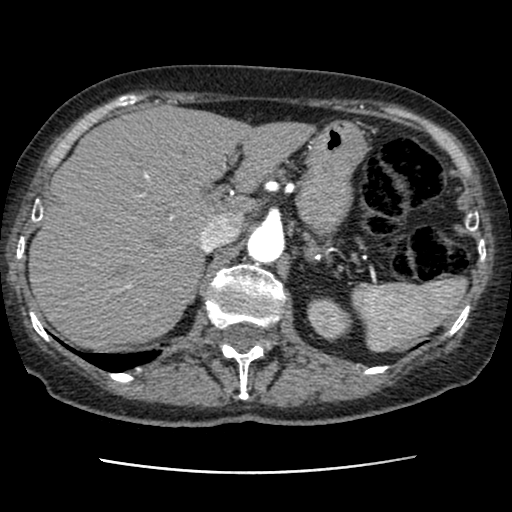
Axial slice 65 of 76 of a contrast-enhanced abdominal CT (slice 1 is the lowest), 120 kVp, kernel STANDARD; 2.50 mm slice thickness and 0.586 mm pixels.
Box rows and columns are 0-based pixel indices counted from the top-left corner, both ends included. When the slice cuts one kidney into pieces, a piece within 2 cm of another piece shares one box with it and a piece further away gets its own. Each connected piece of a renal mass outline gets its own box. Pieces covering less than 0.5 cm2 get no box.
Left kidney at rows 297–342, columns 307–352 (outlined area 1,424 px, about 4.9 cm2). No renal mass outline on this slice.